Arterial-phase contrast-enhanced abdominal CT, axial slice 234 of 325 (counted from the lowest slice); tube voltage 100 kVp, convolution kernel I30f; slices 1.00 mm thick, 0.703 mm per pixel.
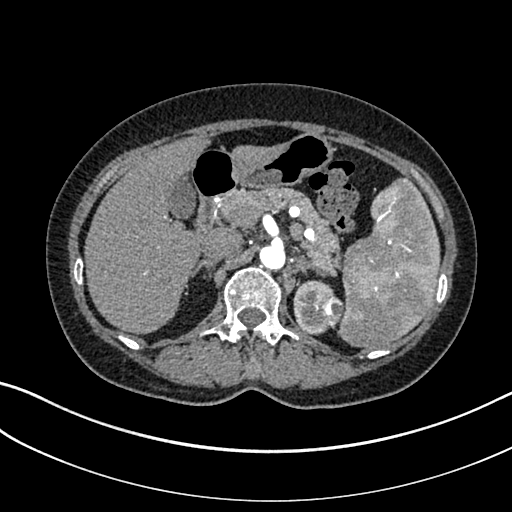
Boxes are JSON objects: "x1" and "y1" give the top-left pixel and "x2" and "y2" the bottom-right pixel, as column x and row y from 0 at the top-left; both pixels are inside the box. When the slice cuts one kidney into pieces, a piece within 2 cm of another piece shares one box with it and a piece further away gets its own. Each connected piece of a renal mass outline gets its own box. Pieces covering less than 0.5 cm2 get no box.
Boxed on this slice (one kidney box and one renal mass box), listed by box centre from the image's left to its right: (1) Left kidney, box {"x1": 293, "y1": 280, "x2": 334, "y2": 335} (outlined area 1,531 px, about 7.6 cm2). (2) Box {"x1": 319, "y1": 295, "x2": 344, "y2": 327}: left renal mass (outlined area 619 px, about 3.1 cm2).